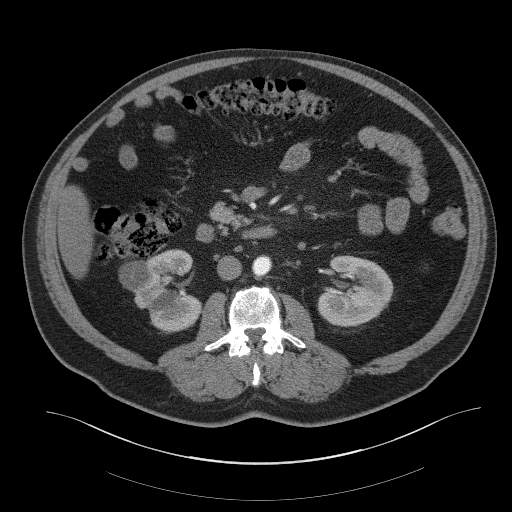
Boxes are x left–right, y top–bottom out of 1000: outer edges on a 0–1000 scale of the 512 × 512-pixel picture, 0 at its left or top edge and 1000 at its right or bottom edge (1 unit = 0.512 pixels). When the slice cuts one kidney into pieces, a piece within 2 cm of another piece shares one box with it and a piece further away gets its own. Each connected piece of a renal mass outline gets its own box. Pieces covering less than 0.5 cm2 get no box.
This is axial slice 21 of 61 (slice 1 is the lowest) of an abdominal CT with contrast; each pixel is 0.939 mm and the slice is 3.00 mm thick. Three boxes on this slice (two kidney boxes and one renal mass box), listed by box centre from the image's left to its right. (1) Right renal mass, box x 232–295, y 508–572 out of 1000 (outlined area 815 px, about 7.2 cm2). (2) Right kidney at x 262–398, y 486–650 out of 1000 (outlined area 3,681 px, about 32.5 cm2). (3) Box x 619–770, y 498–639 out of 1000: left kidney (outlined area 4,089 px, about 36.1 cm2).
Acquired at 140 kVp and reconstructed with the B41f kernel.